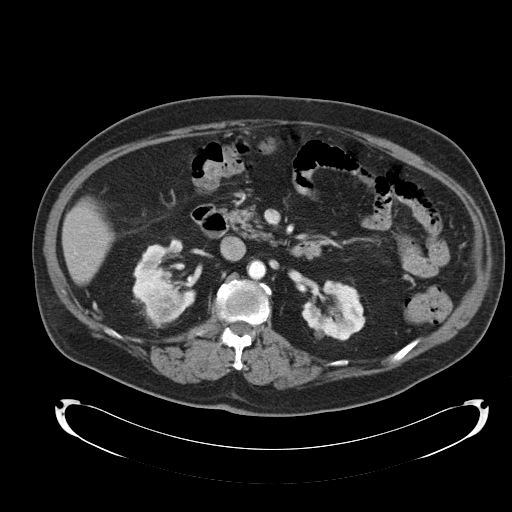
Contrast-enhanced abdominal CT, axial slice 64 of 92 (counted from the lowest slice); tube voltage 120 kVp, convolution kernel B30f; slices 5.00 mm thick, 0.918 mm per pixel.
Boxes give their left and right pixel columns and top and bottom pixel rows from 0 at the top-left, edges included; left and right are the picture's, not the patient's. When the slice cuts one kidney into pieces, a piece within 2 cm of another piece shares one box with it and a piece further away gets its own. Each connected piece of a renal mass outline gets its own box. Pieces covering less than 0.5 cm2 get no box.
Two kidney boxes and one renal mass box on this slice; by box centre, from the image's left to its right: (1) Right kidney, the box with left 132, top 238, right 196, bottom 327 (outlined area 2,809 px, about 23.7 cm2). (2) Box with left 149, top 290, right 183, bottom 321: right renal mass (outlined area 920 px, about 7.8 cm2). (3) Left kidney, the box with left 301, top 280, right 365, bottom 341 (outlined area 2,728 px, about 23.0 cm2).